Axial slice 63 of 89 of a contrast-enhanced abdominal CT in the arterial phase (slice 1 is the lowest), 100 kVp, kernel I40f; 5.00 mm slice thickness and 0.885 mm pixels.
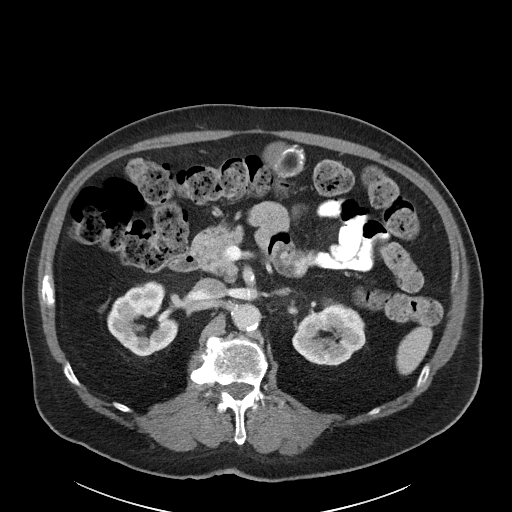
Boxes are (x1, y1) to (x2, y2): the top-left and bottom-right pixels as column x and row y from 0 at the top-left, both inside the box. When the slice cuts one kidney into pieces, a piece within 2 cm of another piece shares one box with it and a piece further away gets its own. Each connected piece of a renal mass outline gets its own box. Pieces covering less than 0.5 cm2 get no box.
Two boxes on this slice (two kidney boxes), listed by box centre from the image's left to its right. (1) Box (107, 281) to (178, 356): right kidney (outlined area 3,622 px, about 28.4 cm2). (2) Box (292, 301) to (365, 365): left kidney (outlined area 3,438 px, about 26.9 cm2). No renal mass outline on this slice.